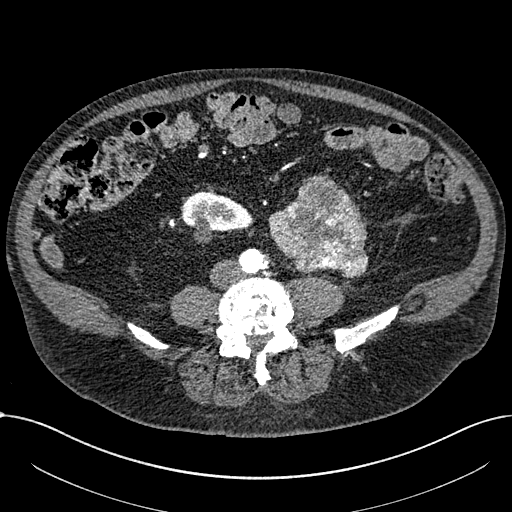
Axial slice 226 of 1059 of a contrast-enhanced abdominal CT in the arterial phase (slice 1 is the lowest), 100 kVp, kernel I30f; 1.00 mm slice thickness and 0.811 mm pixels.
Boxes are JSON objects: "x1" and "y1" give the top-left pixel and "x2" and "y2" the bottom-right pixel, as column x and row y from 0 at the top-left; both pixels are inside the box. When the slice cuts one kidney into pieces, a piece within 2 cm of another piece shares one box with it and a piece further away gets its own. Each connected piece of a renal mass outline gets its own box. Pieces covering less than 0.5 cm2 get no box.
One kidney box and one renal mass box on this slice; by box centre, from the image's left to its right: (1) Right part of the midline-crossing kidney, box {"x1": 181, "y1": 191, "x2": 253, "y2": 243} (outlined area 2,402 px, about 15.8 cm2). (2) Box {"x1": 268, "y1": 174, "x2": 368, "y2": 278}: renal mass (outlined area 7,160 px, about 47.0 cm2); on this slice it lies more than 1 cm from any kidney outline, but the same outlined renal mass comes within 1 cm of the kidney on another slice.